Axial slice 47 of 85 of a contrast-enhanced abdominal CT in the arterial phase (slice 1 is the lowest), 120 kVp, kernel FC19; 5.00 mm slice thickness and 0.741 mm pixels.
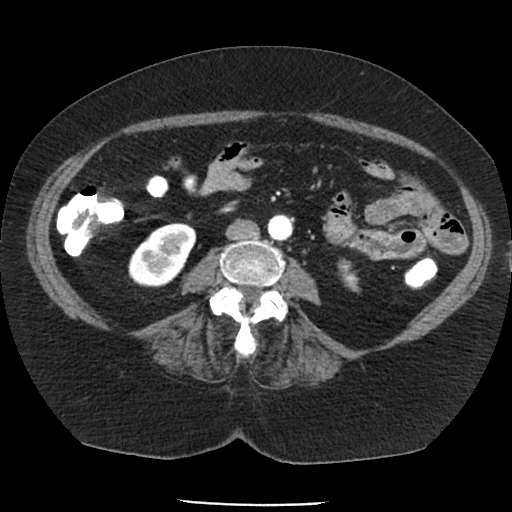
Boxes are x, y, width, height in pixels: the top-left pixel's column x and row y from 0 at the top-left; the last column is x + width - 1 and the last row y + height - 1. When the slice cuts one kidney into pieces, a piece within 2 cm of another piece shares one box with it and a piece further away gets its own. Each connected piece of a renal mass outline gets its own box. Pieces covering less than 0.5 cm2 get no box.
Two boxes on this slice (two kidney boxes), listed by box centre from the image's left to its right. (1) Right kidney, box x 128, y 223, width 69, height 65 (outlined area 3,097 px, about 17.0 cm2). (2) Left kidney at x 337, y 258, width 24, height 35 (outlined area 465 px, about 2.6 cm2). No renal mass is outlined on this slice.